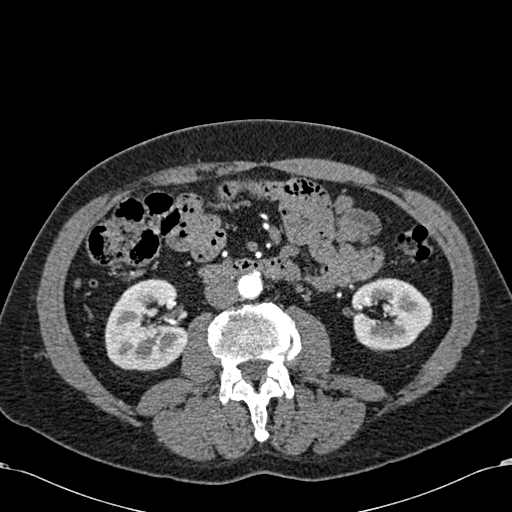
Arterial-phase contrast-enhanced abdominal CT, axial slice 294 of 581 (counted from the lowest slice); tube voltage 120 kVp, convolution kernel B30f; slices 1.00 mm thick, 0.713 mm per pixel.
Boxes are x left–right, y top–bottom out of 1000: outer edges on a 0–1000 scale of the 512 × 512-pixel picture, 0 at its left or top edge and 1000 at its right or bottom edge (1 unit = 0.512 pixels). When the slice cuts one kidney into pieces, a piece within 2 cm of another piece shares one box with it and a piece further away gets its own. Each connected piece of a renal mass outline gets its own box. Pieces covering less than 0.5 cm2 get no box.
Two boxes on this slice (two kidney boxes), listed by box centre from the image's left to its right. (1) Right kidney at x 203–369, y 543–727 out of 1000 (outlined area 5,951 px, about 30.2 cm2). (2) Box x 684–846, y 543–688 out of 1000: left kidney (outlined area 4,460 px, about 22.7 cm2). No renal mass outline on this slice.